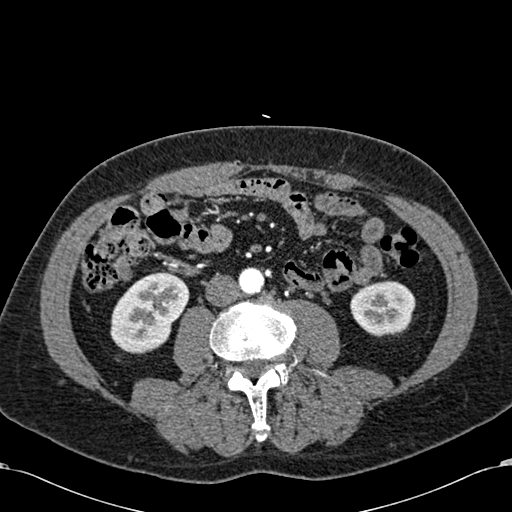
Axial slice 246 of 581 of a contrast-enhanced abdominal CT in the arterial phase (slice 1 is the lowest), 120 kVp, kernel B30f; 1.00 mm slice thickness and 0.713 mm pixels.
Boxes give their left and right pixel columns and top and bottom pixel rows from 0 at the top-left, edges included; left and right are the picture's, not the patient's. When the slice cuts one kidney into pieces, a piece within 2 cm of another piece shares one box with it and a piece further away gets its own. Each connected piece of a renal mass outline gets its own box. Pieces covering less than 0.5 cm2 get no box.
Two boxes on this slice (two kidney boxes), listed by box centre from the image's left to its right. (1) Box with left 110, top 271, right 189, bottom 354: right kidney (outlined area 4,597 px, about 23.4 cm2). (2) Left kidney in the box with left 350, top 280, right 415, bottom 335 (outlined area 2,875 px, about 14.6 cm2). This slice carries no renal mass outline.